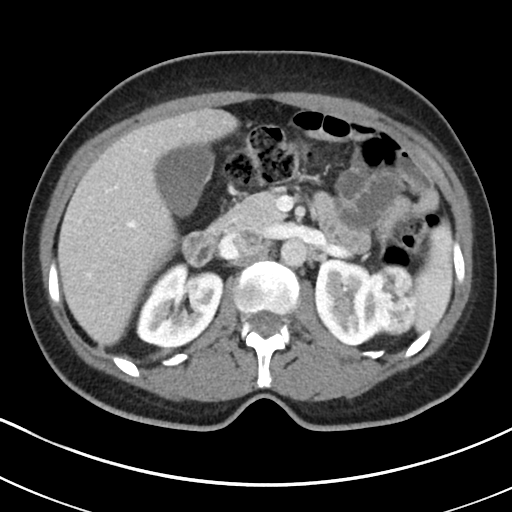
One axial slice (124 of 178, counting up from the lowest) of a contrast-enhanced abdominal CT acquired with 100 kVp, kernel I30f; each pixel is 0.650 mm and the slice is 5.00 mm thick.
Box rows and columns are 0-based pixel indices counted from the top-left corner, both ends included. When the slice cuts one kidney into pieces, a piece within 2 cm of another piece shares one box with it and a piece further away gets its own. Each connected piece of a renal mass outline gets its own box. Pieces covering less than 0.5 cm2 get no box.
Three boxes on this slice (two kidney boxes and one renal mass box), listed by box centre from the image's left to its right. (1) Box rows 262–347, columns 136–223: right kidney (outlined area 5,449 px, about 23.0 cm2). (2) Left kidney, box rows 258–346, columns 315–385 (outlined area 4,437 px, about 18.8 cm2). (3) Box rows 265–335, columns 372–418: left renal mass (outlined area 2,645 px, about 11.2 cm2).